Abdominal CT with intravenous contrast, arterial phase, axial plane, 120 kVp, kernel STANDARD. Slice 187/349 from the bottom of the scan; thickness 1.25 mm; pixel size 0.742 mm.
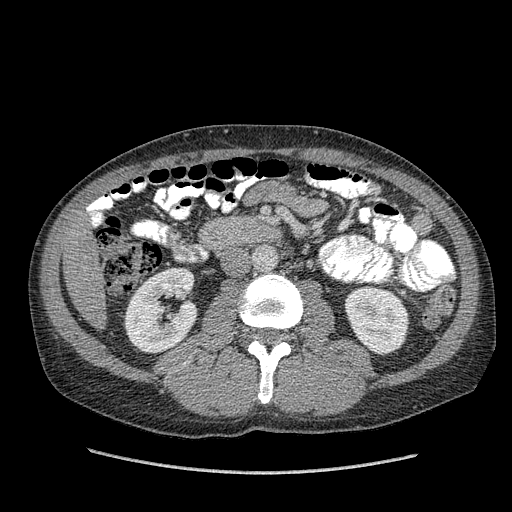
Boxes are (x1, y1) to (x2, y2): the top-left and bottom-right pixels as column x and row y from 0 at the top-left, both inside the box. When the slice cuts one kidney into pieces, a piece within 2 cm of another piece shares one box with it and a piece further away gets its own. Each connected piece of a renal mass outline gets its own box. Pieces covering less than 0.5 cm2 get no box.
Two boxes on this slice (two kidney boxes), listed by box centre from the image's left to its right. (1) Box (123, 267) to (198, 353): right kidney (outlined area 4,734 px, about 26.1 cm2). (2) Left kidney, box (344, 286) to (408, 354) (outlined area 3,477 px, about 19.2 cm2). No renal mass is outlined on this slice.